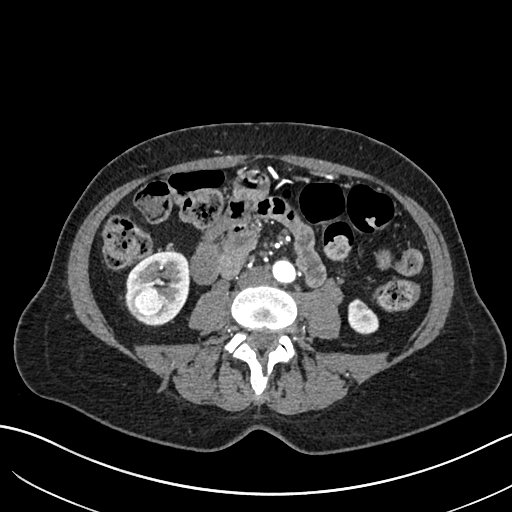
Axial slice 286 of 683 of a contrast-enhanced abdominal CT in the arterial phase (slice 1 is the lowest), 120 kVp, kernel I30f; 1.00 mm slice thickness and 0.738 mm pixels.
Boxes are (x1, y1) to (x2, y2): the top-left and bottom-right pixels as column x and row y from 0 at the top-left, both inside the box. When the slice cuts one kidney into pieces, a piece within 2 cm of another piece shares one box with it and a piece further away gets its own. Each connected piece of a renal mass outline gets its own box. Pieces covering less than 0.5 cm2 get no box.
Boxed on this slice (two kidney boxes and one renal mass box), listed by box centre from the image's left to its right: (1) Box (129, 286) to (167, 317): right renal mass (outlined area 996 px, about 5.4 cm2). (2) Right kidney, box (125, 251) to (189, 325) (outlined area 2,906 px, about 15.8 cm2). (3) Box (348, 298) to (378, 334): left kidney (outlined area 835 px, about 4.6 cm2).